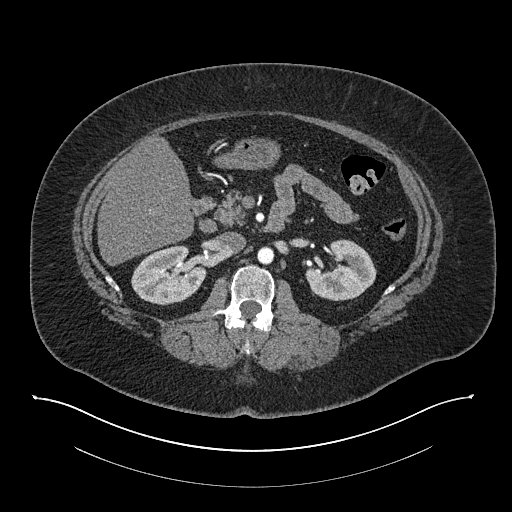
Abdominal CT with intravenous contrast, arterial phase, axial plane, 140 kVp, kernel I30f. Slice 473/673 from the bottom of the scan; thickness 1.00 mm; pixel size 0.957 mm.
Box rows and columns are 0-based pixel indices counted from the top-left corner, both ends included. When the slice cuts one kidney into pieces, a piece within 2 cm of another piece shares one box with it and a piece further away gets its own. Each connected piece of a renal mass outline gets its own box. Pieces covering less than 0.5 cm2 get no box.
Boxed on this slice (two kidney boxes), listed by box centre from the image's left to its right: (1) Right kidney, box rows 245–305, columns 131–206 (outlined area 3,314 px, about 30.4 cm2). (2) Left kidney at rows 239–300, columns 305–376 (outlined area 3,061 px, about 28.0 cm2). No renal mass outline on this slice.